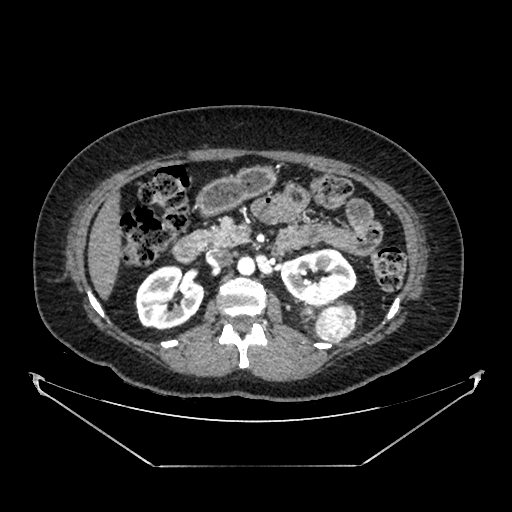
Abdominal CT with intravenous contrast, arterial phase, axial plane, 100 kVp, kernel SOFT. Slice 237/383 from the bottom of the scan; thickness 1.25 mm; pixel size 0.898 mm.
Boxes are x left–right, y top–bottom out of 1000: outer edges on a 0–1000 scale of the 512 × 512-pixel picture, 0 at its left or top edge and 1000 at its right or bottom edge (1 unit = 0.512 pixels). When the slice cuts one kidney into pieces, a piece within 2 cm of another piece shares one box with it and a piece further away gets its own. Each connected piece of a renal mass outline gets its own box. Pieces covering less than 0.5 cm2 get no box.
Boxed on this slice (two kidney boxes and two renal mass boxes), listed by box centre from the image's left to its right: (1) Right kidney at x 264–406, y 518–646 out of 1000 (outlined area 3,430 px, about 27.7 cm2). (2) Box x 586–617, y 598–623 out of 1000: left renal mass (outlined area 135 px, about 1.1 cm2). (3) Left kidney, box x 547–697, y 484–600 out of 1000 (outlined area 3,188 px, about 25.7 cm2). (4) Left renal mass at x 613–697, y 594–672 out of 1000 (outlined area 1,300 px, about 10.5 cm2).